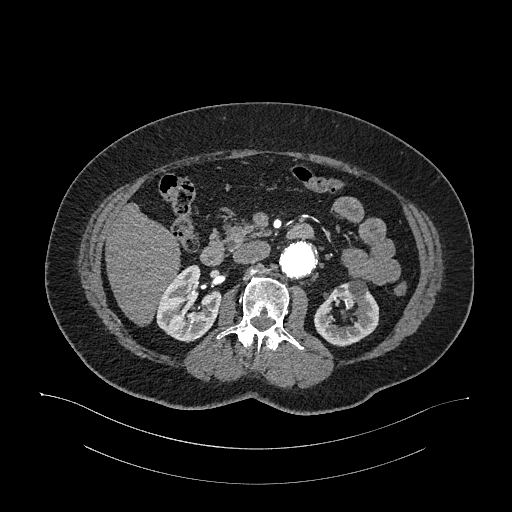
Axial slice 653 of 987 of a contrast-enhanced abdominal CT in the arterial phase (slice 1 is the lowest), 120 kVp, kernel I26f; 1.00 mm slice thickness and 0.977 mm pixels.
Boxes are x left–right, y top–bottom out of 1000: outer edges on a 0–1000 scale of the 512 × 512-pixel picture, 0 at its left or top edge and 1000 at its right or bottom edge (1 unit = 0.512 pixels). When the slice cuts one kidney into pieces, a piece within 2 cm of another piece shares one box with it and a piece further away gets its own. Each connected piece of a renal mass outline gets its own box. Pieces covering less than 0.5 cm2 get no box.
Two boxes on this slice (two kidney boxes), listed by box centre from the image's left to its right. (1) Right kidney at x 303–434, y 518–668 out of 1000 (outlined area 3,418 px, about 32.6 cm2). (2) Left kidney at x 613–742, y 545–678 out of 1000 (outlined area 2,915 px, about 27.8 cm2). This slice carries no renal mass outline.